Abdominal CT with intravenous contrast, arterial phase, axial plane, 100 kVp, kernel I41f. Slice 15/50 from the bottom of the scan; thickness 3.00 mm; pixel size 0.758 mm.
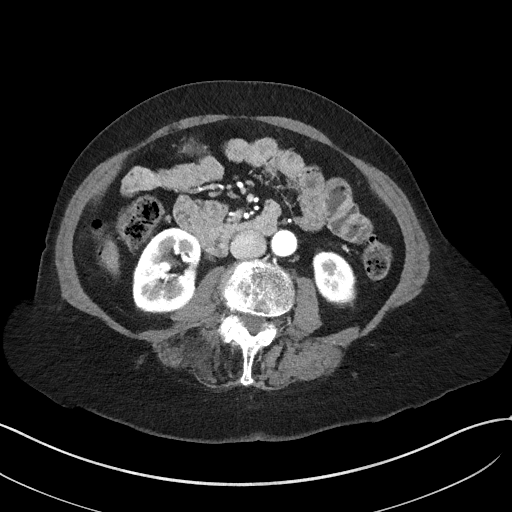
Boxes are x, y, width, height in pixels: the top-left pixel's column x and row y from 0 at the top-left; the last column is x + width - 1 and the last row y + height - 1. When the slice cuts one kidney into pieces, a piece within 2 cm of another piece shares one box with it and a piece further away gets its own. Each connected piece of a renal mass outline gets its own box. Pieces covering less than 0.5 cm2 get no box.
Two boxes on this slice (two kidney boxes), listed by box centre from the image's left to its right. (1) Right kidney at x 132, y 228, width 71, height 86 (outlined area 4,550 px, about 26.1 cm2). (2) Left kidney at x 312, y 250, width 44, height 58 (outlined area 1,900 px, about 10.9 cm2). No renal mass is outlined on this slice.